Abdominal CT with intravenous contrast, arterial phase, axial plane, 120 kVp, kernel I30f. Slice 247/670 from the bottom of the scan; thickness 1.00 mm; pixel size 0.861 mm.
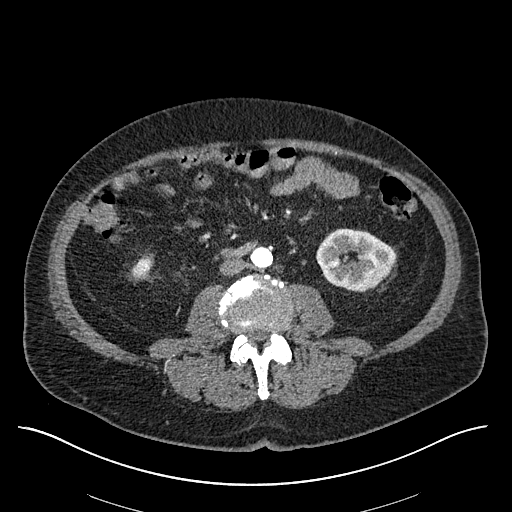
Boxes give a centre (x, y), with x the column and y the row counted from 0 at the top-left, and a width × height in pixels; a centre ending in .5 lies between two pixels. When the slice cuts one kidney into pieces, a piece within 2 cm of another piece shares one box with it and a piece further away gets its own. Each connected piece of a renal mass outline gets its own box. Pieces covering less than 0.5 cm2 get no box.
Boxed on this slice (two kidney boxes), listed by box centre from the image's left to its right: (1) Box centre (141.5, 267.5), 22 × 22 pixels: right kidney (outlined area 357 px, about 2.6 cm2). (2) Left kidney in a box with centre (355.5, 259.5), 80 × 64 pixels (outlined area 3,737 px, about 27.7 cm2). No renal mass is outlined on this slice.